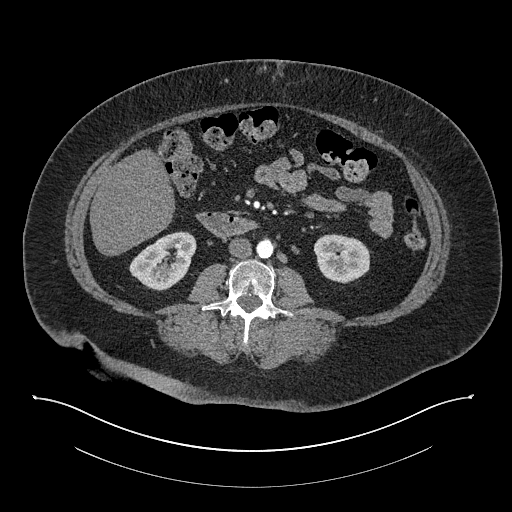
Abdominal CT with intravenous contrast, arterial phase, axial plane, 140 kVp, kernel I30f. Slice 390/673 from the bottom of the scan; thickness 1.00 mm; pixel size 0.957 mm.
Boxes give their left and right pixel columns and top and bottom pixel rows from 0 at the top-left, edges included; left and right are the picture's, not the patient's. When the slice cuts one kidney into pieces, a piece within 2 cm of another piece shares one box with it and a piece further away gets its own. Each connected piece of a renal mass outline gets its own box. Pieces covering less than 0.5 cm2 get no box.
Boxed on this slice (two kidney boxes), listed by box centre from the image's left to its right: (1) Right kidney, the box with left 129, top 231, right 196, bottom 290 (outlined area 2,697 px, about 24.7 cm2). (2) Box with left 313, top 234, right 369, bottom 283: left kidney (outlined area 2,202 px, about 20.2 cm2). No renal mass is outlined on this slice.